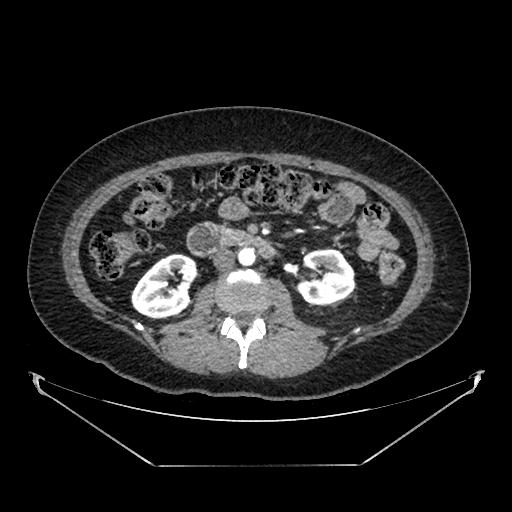
Abdominal CT with intravenous contrast, arterial phase, axial plane, 100 kVp, kernel SOFT. Slice 214/383 from the bottom of the scan; thickness 1.25 mm; pixel size 0.898 mm.
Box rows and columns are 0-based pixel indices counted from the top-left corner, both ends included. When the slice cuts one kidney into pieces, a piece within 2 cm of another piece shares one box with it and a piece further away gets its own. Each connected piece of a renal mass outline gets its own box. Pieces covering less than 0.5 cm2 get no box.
Boxed on this slice (two kidney boxes), listed by box centre from the image's left to its right: (1) Box rows 253–319, columns 131–196: right kidney (outlined area 3,101 px, about 25.0 cm2). (2) Left kidney, box rows 248–305, columns 295–354 (outlined area 2,663 px, about 21.5 cm2). This slice carries no renal mass outline.